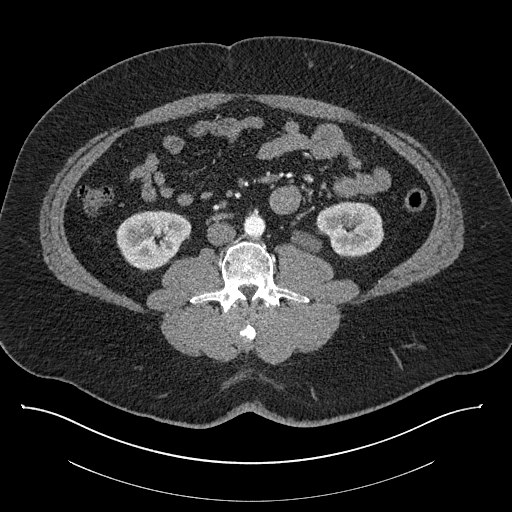
Axial slice 399 of 787 of a contrast-enhanced abdominal CT (slice 1 is the lowest), 140 kVp, kernel I30f; 1.00 mm slice thickness and 0.910 mm pixels.
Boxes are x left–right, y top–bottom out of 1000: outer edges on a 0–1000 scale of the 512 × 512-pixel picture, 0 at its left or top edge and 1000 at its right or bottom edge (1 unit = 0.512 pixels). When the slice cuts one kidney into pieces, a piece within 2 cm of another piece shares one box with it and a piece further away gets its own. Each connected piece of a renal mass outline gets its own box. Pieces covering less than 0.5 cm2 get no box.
Boxed on this slice (two kidney boxes), listed by box centre from the image's left to its right: (1) Right kidney, box x 227–375, y 410–531 out of 1000 (outlined area 3,401 px, about 28.2 cm2). (2) Box x 568–752, y 393–502 out of 1000: left kidney (outlined area 3,364 px, about 27.9 cm2). No renal mass is outlined on this slice.